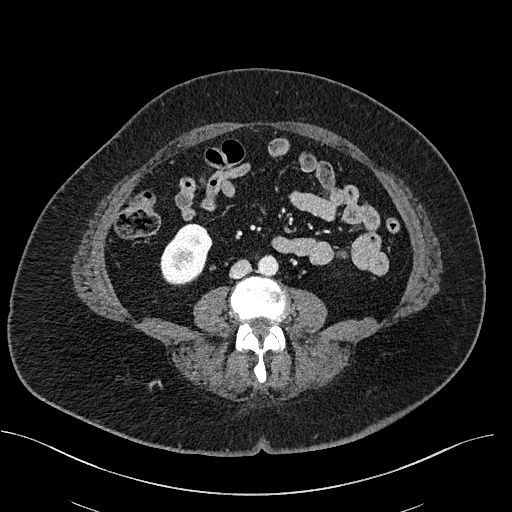
Axial slice 248 of 470 of a contrast-enhanced abdominal CT (slice 1 is the lowest), 100 kVp, kernel I40f; 2.00 mm slice thickness and 0.824 mm pixels.
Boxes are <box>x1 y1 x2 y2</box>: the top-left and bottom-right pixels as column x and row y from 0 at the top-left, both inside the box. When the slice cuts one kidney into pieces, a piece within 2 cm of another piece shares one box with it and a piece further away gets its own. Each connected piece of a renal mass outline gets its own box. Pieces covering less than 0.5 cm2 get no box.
Right kidney at <box>160 223 212 285</box> (outlined area 2,324 px, about 15.8 cm2). No renal mass is outlined on this slice.